Axial slice 61 of 85 of a contrast-enhanced abdominal CT in the arterial phase (slice 1 is the lowest), 100 kVp, kernel I41f; 5.00 mm slice thickness and 0.664 mm pixels.
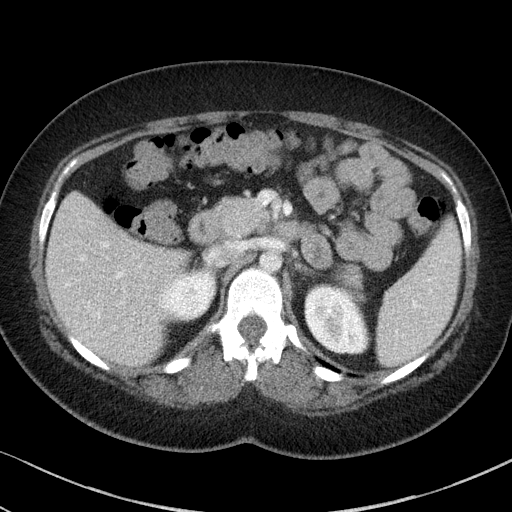
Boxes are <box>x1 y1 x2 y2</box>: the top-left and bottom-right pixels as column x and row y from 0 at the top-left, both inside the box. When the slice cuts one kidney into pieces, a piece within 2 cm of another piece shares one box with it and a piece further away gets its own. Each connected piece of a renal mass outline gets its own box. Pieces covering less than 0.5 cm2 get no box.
Boxed on this slice (two kidney boxes), listed by box centre from the image's left to its right: (1) At <box>161 271 216 321</box>: right kidney (outlined area 2,161 px, about 9.5 cm2). (2) Left kidney at <box>304 283 371 354</box> (outlined area 3,631 px, about 16.0 cm2). This slice carries no renal mass outline.